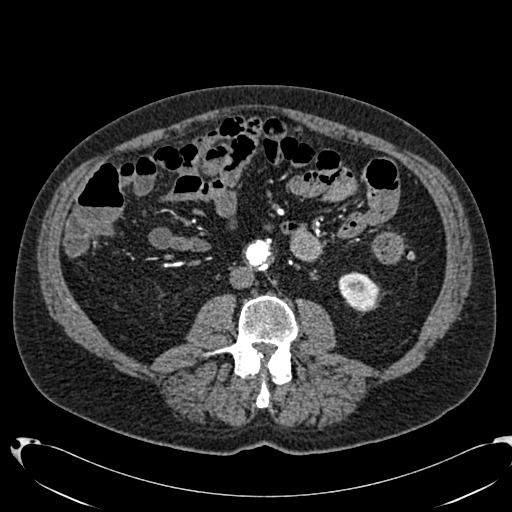
One axial slice (322 of 553, counting up from the lowest) of an arterial-phase abdominal CT acquired with 120 kVp, kernel B20f; each pixel is 0.773 mm and the slice is 1.00 mm thick.
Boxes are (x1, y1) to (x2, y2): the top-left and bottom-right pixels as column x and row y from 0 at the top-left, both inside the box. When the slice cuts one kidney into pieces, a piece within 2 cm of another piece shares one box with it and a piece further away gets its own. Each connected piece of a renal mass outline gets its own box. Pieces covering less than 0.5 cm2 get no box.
Left kidney from (338, 272) to (378, 312) (outlined area 1,228 px, about 7.3 cm2). This slice carries no renal mass outline.